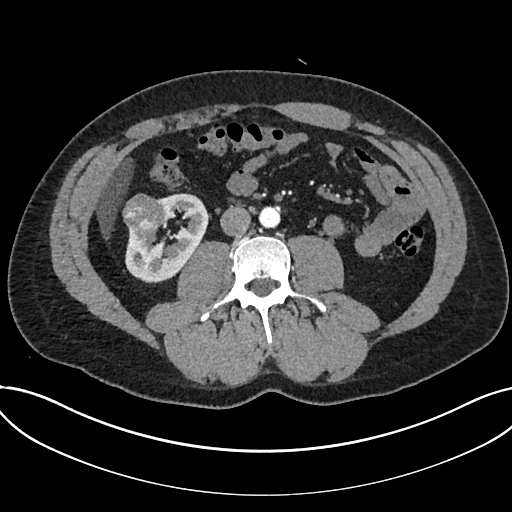
Abdominal CT with intravenous contrast, arterial phase, axial plane, 120 kVp, kernel I30f. Slice 341/735 from the bottom of the scan; thickness 1.00 mm; pixel size 0.789 mm.
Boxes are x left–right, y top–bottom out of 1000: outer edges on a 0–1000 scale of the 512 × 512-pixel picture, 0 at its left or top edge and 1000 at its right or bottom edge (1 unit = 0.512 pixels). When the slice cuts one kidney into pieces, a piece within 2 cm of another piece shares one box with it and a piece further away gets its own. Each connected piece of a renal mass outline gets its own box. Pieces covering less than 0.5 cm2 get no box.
Two boxes on this slice (one kidney box and one renal mass box), listed by box centre from the image's left to its right. (1) Renal mass at x 238–326, y 377–463 out of 1000 (outlined area 1,421 px, about 8.8 cm2). (2) Kidney, box x 244–406, y 377–555 out of 1000 (outlined area 4,242 px, about 26.4 cm2).